Axial slice 393 of 591 of a contrast-enhanced abdominal CT in the arterial phase (slice 1 is the lowest), 140 kVp, kernel I30f; 1.00 mm slice thickness and 0.703 mm pixels.
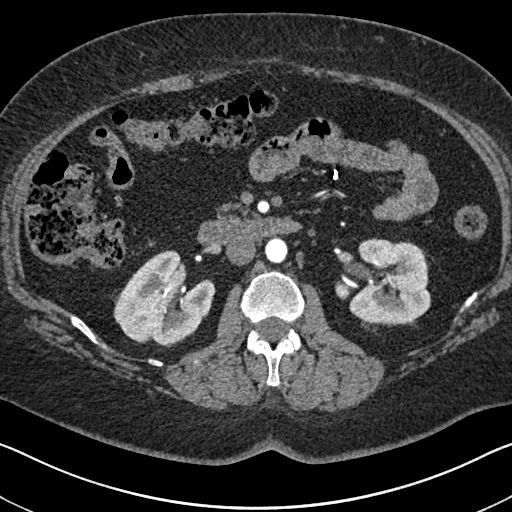
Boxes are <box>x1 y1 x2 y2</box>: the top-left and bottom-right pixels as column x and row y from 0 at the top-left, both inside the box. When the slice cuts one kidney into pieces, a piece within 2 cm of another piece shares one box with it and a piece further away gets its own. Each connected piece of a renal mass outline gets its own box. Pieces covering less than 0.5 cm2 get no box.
Two boxes on this slice (two kidney boxes), listed by box centre from the image's left to its right. (1) Right kidney: <box>113 250 215 347</box> (outlined area 6,461 px, about 31.9 cm2). (2) At <box>335 239 431 325</box>: left kidney (outlined area 5,989 px, about 29.6 cm2). This slice carries no renal mass outline.